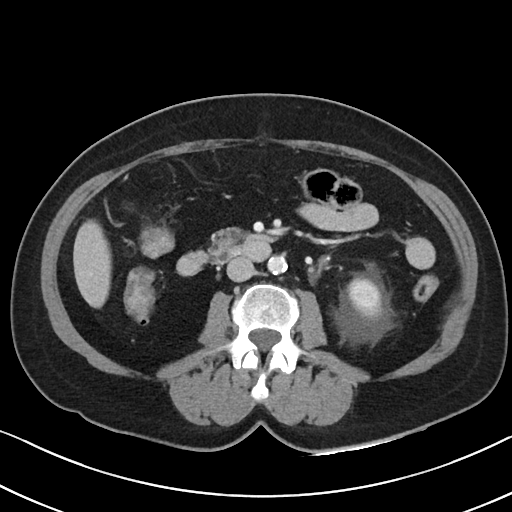
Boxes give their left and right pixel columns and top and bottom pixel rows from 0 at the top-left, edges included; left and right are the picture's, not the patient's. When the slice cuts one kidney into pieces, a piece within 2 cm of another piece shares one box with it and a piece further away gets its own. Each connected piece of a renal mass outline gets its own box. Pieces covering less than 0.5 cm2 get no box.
This is axial slice 51 of 88 (slice 1 is the lowest) of an abdominal CT with contrast; each pixel is 0.674 mm and the slice is 5.00 mm thick. Box with left 348, top 276, right 381, bottom 317: left kidney (outlined area 1,095 px, about 5.0 cm2). No renal mass is outlined on this slice.
Scan settings: 100 kVp, I40f reconstruction kernel.